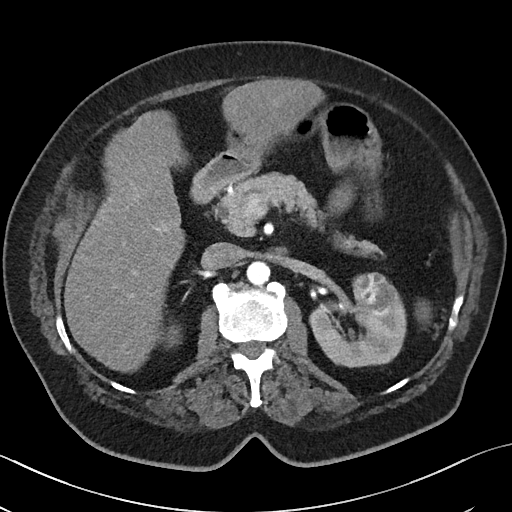
One axial slice (26 of 50, counting up from the lowest) of a contrast-enhanced abdominal CT acquired with 100 kVp, kernel I40f; each pixel is 0.723 mm and the slice is 5.00 mm thick.
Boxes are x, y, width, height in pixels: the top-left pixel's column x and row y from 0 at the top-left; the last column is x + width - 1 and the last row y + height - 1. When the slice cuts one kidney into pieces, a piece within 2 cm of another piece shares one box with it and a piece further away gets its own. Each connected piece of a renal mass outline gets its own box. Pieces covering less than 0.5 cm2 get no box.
Boxed on this slice (two kidney boxes and one renal mass box), listed by box centre from the image's left to its right: (1) Box x 165, y 325, width 16, height 23: right kidney (outlined area 264 px, about 1.4 cm2). (2) Left kidney at x 309, y 281, width 98, height 87 (outlined area 4,984 px, about 26.0 cm2). (3) Left renal mass at x 352, y 272, width 41, height 44 (outlined area 1,456 px, about 7.6 cm2).